Abdominal CT with intravenous contrast, arterial phase, axial plane, 120 kVp, kernel STANDARD. Slice 149/233 from the bottom of the scan; thickness 1.25 mm; pixel size 0.703 mm.
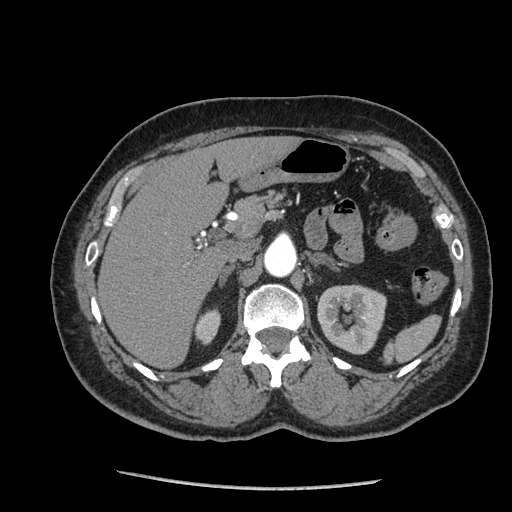
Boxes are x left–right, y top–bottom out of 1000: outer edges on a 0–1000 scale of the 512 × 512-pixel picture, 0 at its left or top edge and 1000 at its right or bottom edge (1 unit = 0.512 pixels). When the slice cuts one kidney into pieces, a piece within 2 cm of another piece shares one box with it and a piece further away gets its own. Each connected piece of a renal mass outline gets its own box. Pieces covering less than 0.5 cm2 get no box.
Two kidney boxes on this slice; by box centre, from the image's left to its right: (1) Box x 379–432, y 602–676 out of 1000: right kidney (outlined area 733 px, about 3.6 cm2). (2) Left kidney, box x 619–756, y 555–693 out of 1000 (outlined area 3,825 px, about 18.9 cm2). This slice carries no renal mass outline.